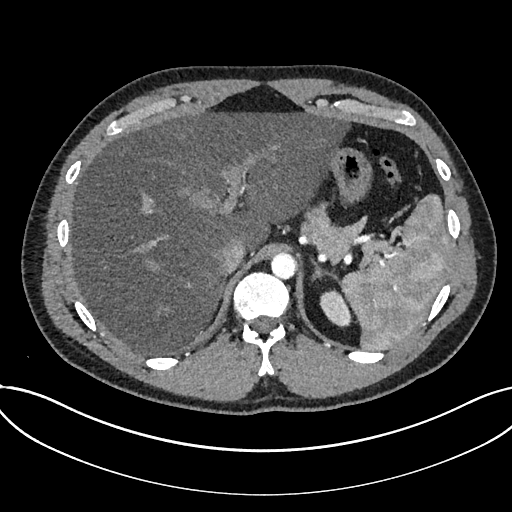
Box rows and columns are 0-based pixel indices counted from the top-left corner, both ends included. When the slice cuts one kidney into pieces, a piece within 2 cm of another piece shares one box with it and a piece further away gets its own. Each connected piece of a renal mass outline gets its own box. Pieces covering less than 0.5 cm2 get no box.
Arterial-phase contrast-enhanced abdominal CT, axial slice 586 of 735 (counted from the lowest slice); 1.00 mm thick, 0.789 mm per pixel. Box rows 289–327, columns 319–351: kidney (outlined area 827 px, about 5.1 cm2). No renal mass is outlined on this slice.
Tube voltage 120 kVp; convolution kernel I30f.